One axial slice (536 of 738, counting up from the lowest) of an arterial-phase abdominal CT acquired with 120 kVp, kernel I30f; each pixel is 0.789 mm and the slice is 1.00 mm thick.
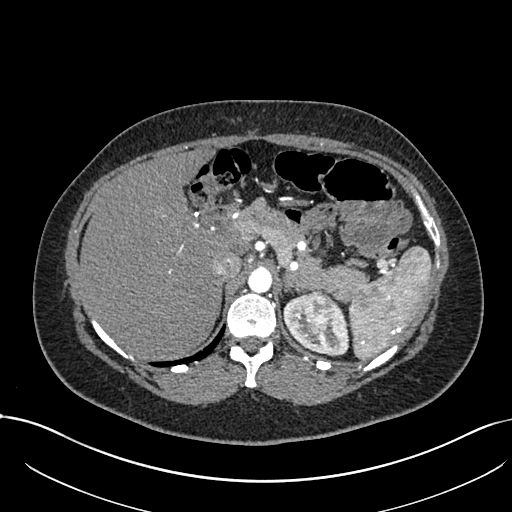
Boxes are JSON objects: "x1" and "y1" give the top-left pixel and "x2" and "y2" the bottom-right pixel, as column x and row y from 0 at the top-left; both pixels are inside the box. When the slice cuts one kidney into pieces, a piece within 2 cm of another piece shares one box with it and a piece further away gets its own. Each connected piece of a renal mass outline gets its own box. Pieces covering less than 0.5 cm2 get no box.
Boxed on this slice (one kidney box and one renal mass box), listed by box centre from the image's left to its right: (1) Left kidney at {"x1": 283, "y1": 293, "x2": 348, "y2": 356} (outlined area 2,177 px, about 13.6 cm2). (2) Left renal mass at {"x1": 303, "y1": 291, "x2": 331, "y2": 335} (outlined area 1,037 px, about 6.5 cm2).